Contrast-enhanced abdominal CT, axial slice 315 of 433 (counted from the lowest slice); tube voltage 120 kVp, convolution kernel B30f; slices 1.00 mm thick, 0.672 mm per pixel.
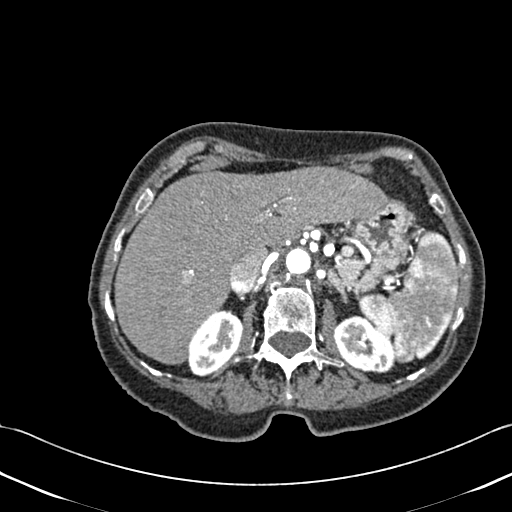
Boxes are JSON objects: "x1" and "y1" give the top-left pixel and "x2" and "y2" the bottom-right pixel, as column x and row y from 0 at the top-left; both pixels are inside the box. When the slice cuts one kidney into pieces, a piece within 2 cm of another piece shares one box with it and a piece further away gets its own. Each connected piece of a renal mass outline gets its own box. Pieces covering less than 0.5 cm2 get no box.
Two boxes on this slice (two kidney boxes), listed by box centre from the image's left to its right. (1) Box {"x1": 188, "y1": 309, "x2": 242, "y2": 376}: right kidney (outlined area 2,605 px, about 11.8 cm2). (2) Left kidney, box {"x1": 333, "y1": 315, "x2": 394, "y2": 372} (outlined area 2,623 px, about 11.8 cm2). No renal mass outline on this slice.